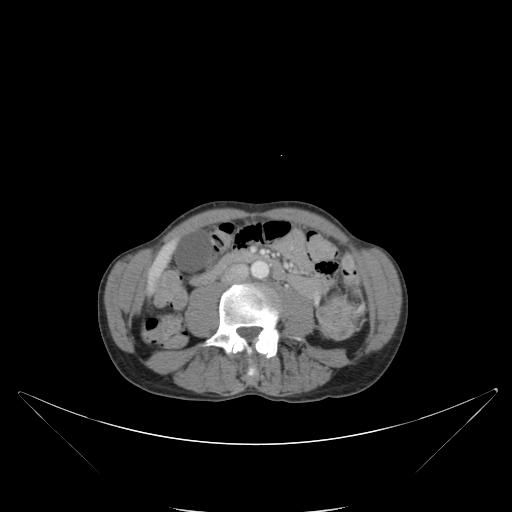
Contrast-enhanced abdominal CT, axial slice 49 of 88 (counted from the lowest slice); tube voltage 120 kVp, convolution kernel B; slices 5.00 mm thick, 0.865 mm per pixel.
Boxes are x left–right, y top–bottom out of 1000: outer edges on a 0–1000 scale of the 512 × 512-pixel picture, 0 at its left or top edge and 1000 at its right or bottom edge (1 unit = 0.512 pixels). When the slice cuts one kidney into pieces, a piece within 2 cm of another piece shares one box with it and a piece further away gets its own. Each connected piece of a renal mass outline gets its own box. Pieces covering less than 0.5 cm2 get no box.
Box x 615–715, y 574–666 out of 1000: left renal mass (outlined area 1,659 px, about 12.4 cm2); no kidney is outlined on this slice, but the same outlined renal mass comes within 1 cm of the kidney on another slice.